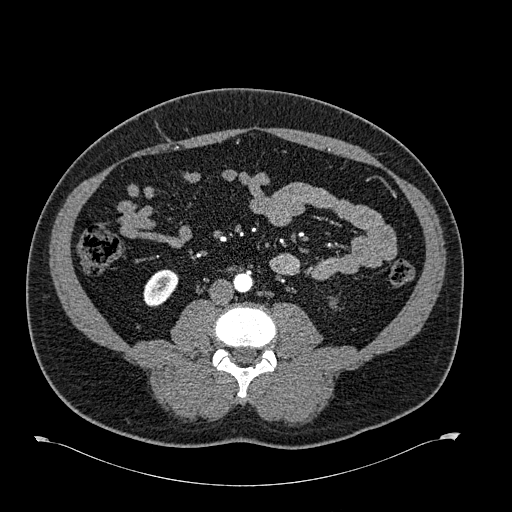
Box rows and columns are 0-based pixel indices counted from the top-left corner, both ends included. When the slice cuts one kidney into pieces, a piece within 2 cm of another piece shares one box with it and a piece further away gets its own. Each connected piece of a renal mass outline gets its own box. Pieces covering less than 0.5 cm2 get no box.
Arterial-phase contrast-enhanced abdominal CT, axial slice 263 of 723 (counted from the lowest slice); 1.00 mm thick, 0.895 mm per pixel. Box rows 269–306, columns 143–178: right kidney (outlined area 962 px, about 7.7 cm2). No renal mass is outlined on this slice.
Tube voltage 120 kVp; convolution kernel B30f.